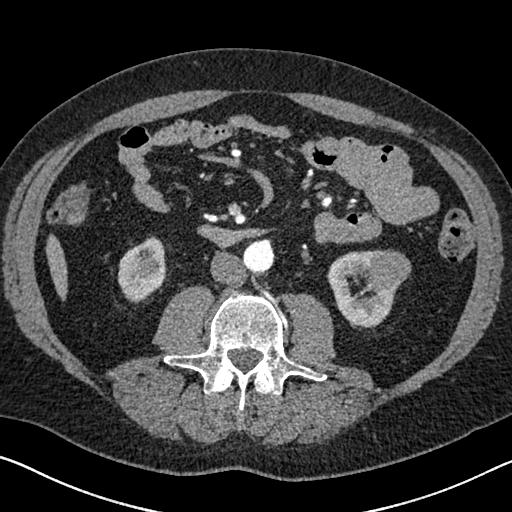
Arterial-phase contrast-enhanced abdominal CT, axial slice 314 of 626 (counted from the lowest slice); tube voltage 120 kVp, convolution kernel I30f; slices 1.00 mm thick, 0.703 mm per pixel.
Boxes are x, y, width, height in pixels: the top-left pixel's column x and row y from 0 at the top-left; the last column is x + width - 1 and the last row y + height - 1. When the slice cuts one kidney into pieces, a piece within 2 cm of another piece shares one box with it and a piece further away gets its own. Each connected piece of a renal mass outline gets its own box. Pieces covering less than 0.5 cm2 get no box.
Boxed on this slice (two kidney boxes and one renal mass box), listed by box centre from the image's left to its right: (1) Box x 117, y 236, width 50, height 67: right kidney (outlined area 2,365 px, about 11.7 cm2). (2) Box x 326, y 250, width 74, height 78: left kidney (outlined area 3,089 px, about 15.3 cm2). (3) Left renal mass at x 362, y 249, width 50, height 39 (outlined area 1,510 px, about 7.5 cm2).